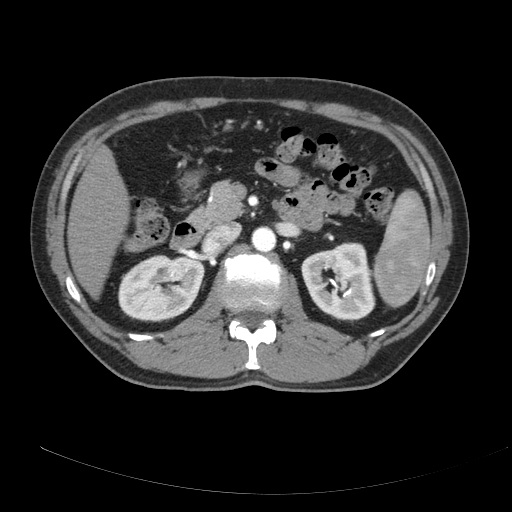
Contrast-enhanced abdominal CT, axial slice 115 of 178 (counted from the lowest slice); tube voltage 120 kVp, convolution kernel B; slices 3.00 mm thick, 0.818 mm per pixel.
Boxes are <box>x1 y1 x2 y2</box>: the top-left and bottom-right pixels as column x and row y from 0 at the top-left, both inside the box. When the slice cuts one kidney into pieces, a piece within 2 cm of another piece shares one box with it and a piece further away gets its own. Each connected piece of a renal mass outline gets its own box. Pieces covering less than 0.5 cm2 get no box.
Two kidney boxes on this slice; by box centre, from the image's left to its right: (1) Right kidney at <box>118 254 204 322</box> (outlined area 4,563 px, about 30.6 cm2). (2) Left kidney: <box>301 242 375 320</box> (outlined area 4,380 px, about 29.3 cm2). No renal mass is outlined on this slice.